Arterial-phase contrast-enhanced abdominal CT, axial slice 332 of 705 (counted from the lowest slice); tube voltage 120 kVp, convolution kernel I30f; slices 1.00 mm thick, 0.703 mm per pixel.
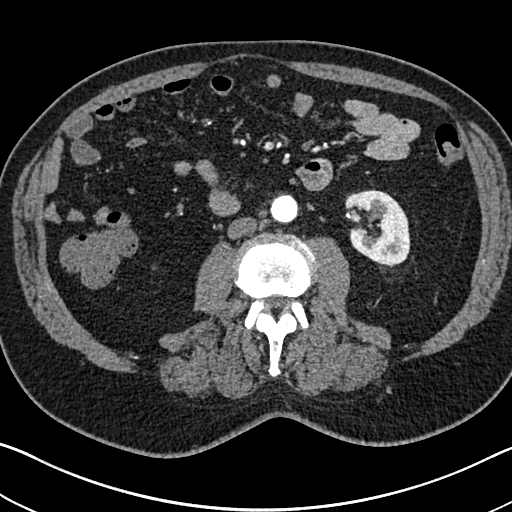
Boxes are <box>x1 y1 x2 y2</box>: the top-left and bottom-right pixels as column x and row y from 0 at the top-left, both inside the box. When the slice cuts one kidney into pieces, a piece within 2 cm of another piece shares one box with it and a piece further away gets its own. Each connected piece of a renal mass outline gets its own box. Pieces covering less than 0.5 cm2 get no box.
At <box>345 189 410 265</box>: left kidney (outlined area 3,744 px, about 18.5 cm2). This slice carries no renal mass outline.